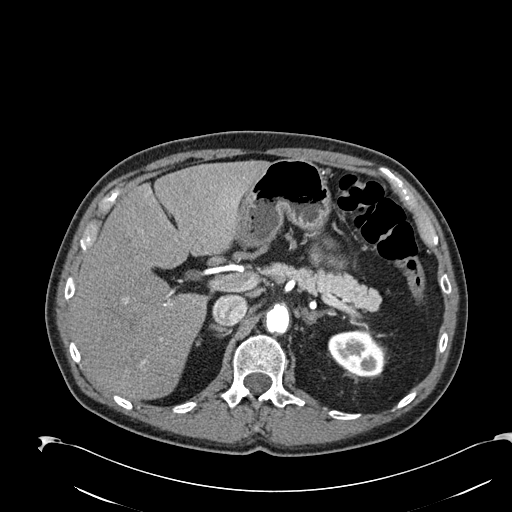
Axial slice 161 of 274 of a contrast-enhanced abdominal CT in the arterial phase (slice 1 is the lowest), 120 kVp, kernel B30f; 2.00 mm slice thickness and 0.809 mm pixels.
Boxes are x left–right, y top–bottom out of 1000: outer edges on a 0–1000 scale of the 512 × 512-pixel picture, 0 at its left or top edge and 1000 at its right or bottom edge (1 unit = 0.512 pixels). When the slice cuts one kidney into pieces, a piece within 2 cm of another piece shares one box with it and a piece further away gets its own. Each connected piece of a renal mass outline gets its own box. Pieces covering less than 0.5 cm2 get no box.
Left kidney at x 641–752, y 645–738 out of 1000 (outlined area 2,059 px, about 13.5 cm2). No renal mass is outlined on this slice.